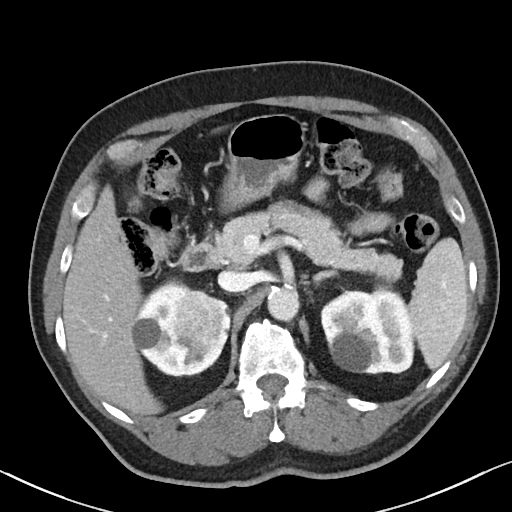
Abdominal CT with intravenous contrast, axial plane, 100 kVp, kernel I40f. Slice 65/90 from the bottom of the scan; thickness 5.00 mm; pixel size 0.684 mm.
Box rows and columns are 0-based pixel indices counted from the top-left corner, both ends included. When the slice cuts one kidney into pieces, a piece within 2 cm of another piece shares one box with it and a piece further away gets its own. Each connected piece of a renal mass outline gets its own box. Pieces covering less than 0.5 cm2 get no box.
Three boxes on this slice (two kidney boxes and one renal mass box), listed by box centre from the image's left to its right. (1) Right kidney, box rows 277–377, columns 132–231 (outlined area 4,203 px, about 19.6 cm2). (2) Right renal mass at rows 289–365, columns 166–224 (outlined area 3,016 px, about 14.1 cm2). (3) Box rows 289–374, columns 320–415: left kidney (outlined area 6,778 px, about 31.7 cm2).